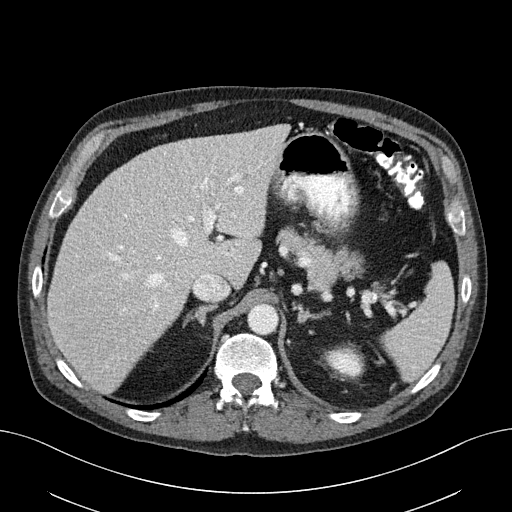
Abdominal CT with intravenous contrast, axial plane, 100 kVp, kernel I40f. Slice 133/163 from the bottom of the scan; thickness 3.00 mm; pixel size 0.799 mm.
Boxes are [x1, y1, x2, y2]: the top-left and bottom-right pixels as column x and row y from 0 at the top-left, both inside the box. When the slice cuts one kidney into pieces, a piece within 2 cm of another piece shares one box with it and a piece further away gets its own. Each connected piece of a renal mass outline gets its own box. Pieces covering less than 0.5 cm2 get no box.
Left kidney at [324, 345, 363, 378] (outlined area 990 px, about 6.3 cm2). No renal mass outline on this slice.